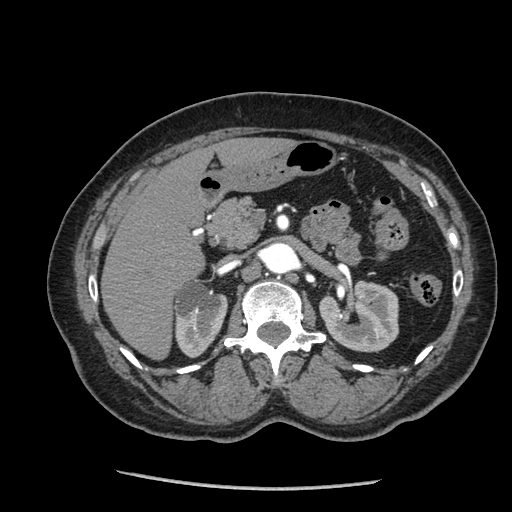
Abdominal CT with intravenous contrast, arterial phase, axial plane, 120 kVp, kernel STANDARD. Slice 139/233 from the bottom of the scan; thickness 1.25 mm; pixel size 0.703 mm.
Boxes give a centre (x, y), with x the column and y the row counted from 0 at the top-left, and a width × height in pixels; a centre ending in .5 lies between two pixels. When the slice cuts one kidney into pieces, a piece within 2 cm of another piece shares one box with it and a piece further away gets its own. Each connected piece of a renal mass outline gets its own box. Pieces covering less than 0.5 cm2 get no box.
Two kidney boxes on this slice; by box centre, from the image's left to its right: (1) Right kidney in a box with centre (200.5, 319), 54 × 79 pixels (outlined area 3,112 px, about 15.4 cm2). (2) Box centre (358.5, 315.5), 80 × 74 pixels: left kidney (outlined area 4,427 px, about 21.9 cm2). No renal mass is outlined on this slice.